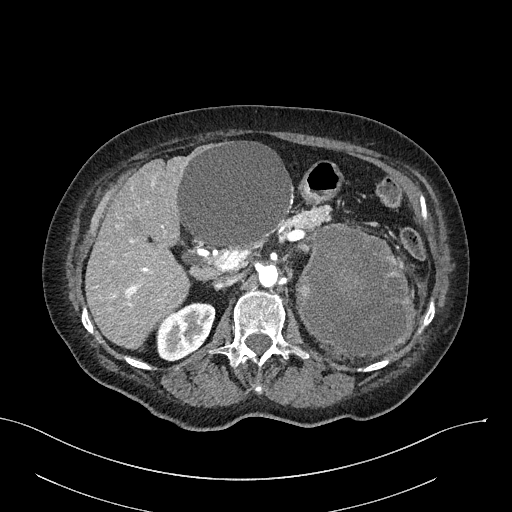
Arterial-phase contrast-enhanced abdominal CT, axial slice 166 of 316 (counted from the lowest slice); tube voltage 100 kVp, convolution kernel I40f; slices 2.00 mm thick, 0.840 mm per pixel.
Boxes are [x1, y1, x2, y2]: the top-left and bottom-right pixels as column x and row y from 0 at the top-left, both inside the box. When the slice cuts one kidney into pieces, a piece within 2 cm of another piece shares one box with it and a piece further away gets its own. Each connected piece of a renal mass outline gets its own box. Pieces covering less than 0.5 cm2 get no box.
Two boxes on this slice (one kidney box and one renal mass box), listed by box centre from the image's left to its right. (1) Box [156, 302, 215, 361]: right kidney (outlined area 2,540 px, about 17.9 cm2). (2) Left renal mass, box [295, 223, 415, 357] (outlined area 12,223 px, about 86.2 cm2); on this slice it lies more than 1 cm from any kidney outline, but the same outlined renal mass comes within 1 cm of the kidney on another slice.